Axial slice 195 of 326 of a contrast-enhanced abdominal CT in the arterial phase (slice 1 is the lowest), 120 kVp, kernel B31f; 2.00 mm slice thickness and 0.963 mm pixels.
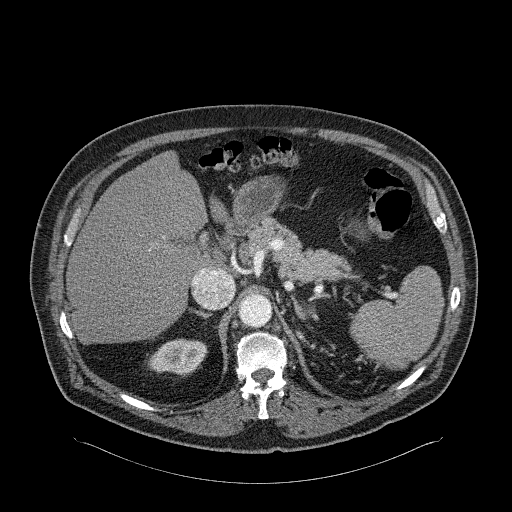
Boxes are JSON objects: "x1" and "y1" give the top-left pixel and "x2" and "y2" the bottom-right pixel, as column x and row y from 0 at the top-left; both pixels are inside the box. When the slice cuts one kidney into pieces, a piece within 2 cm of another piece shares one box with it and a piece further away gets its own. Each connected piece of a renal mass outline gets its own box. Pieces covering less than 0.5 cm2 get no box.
Box {"x1": 147, "y1": 338, "x2": 207, "y2": 375}: right kidney (outlined area 1,646 px, about 15.3 cm2). This slice carries no renal mass outline.